One axial slice (93 of 164, counting up from the lowest) of an arterial-phase abdominal CT acquired with 130 kVp, kernel B30s; each pixel is 0.664 mm and the slice is 3.00 mm thick.
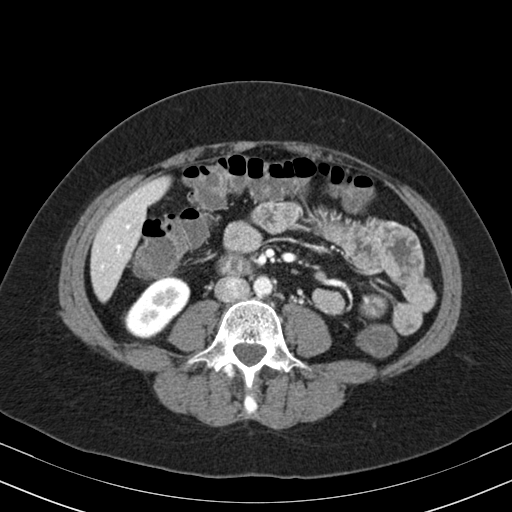
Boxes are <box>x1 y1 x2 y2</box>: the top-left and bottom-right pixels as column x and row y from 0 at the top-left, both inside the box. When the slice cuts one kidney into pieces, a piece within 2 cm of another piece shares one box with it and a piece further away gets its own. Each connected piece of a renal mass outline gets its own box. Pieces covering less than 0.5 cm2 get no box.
Right kidney: <box>123 276 190 338</box> (outlined area 2,704 px, about 11.9 cm2). No renal mass outline on this slice.